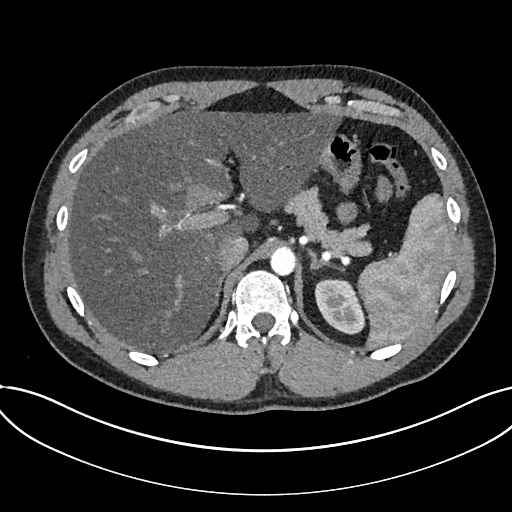
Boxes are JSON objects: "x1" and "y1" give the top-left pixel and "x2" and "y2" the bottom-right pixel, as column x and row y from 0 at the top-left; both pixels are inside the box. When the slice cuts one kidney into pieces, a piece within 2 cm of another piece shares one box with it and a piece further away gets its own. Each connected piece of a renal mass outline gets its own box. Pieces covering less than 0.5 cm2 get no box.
Slice 566/735 of a contrast-enhanced abdominal CT in the arterial phase, counting up from the lowest; pixel size 0.789 mm, slice thickness 1.00 mm. Kidney, box {"x1": 314, "y1": 278, "x2": 364, "y2": 334} (outlined area 2,089 px, about 13.0 cm2). This slice carries no renal mass outline.
Acquired at 120 kVp and reconstructed with the I30f kernel.